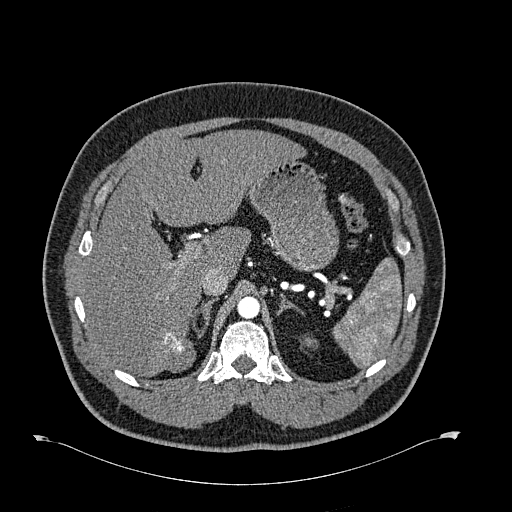
Abdominal CT with intravenous contrast, arterial phase, axial plane, 120 kVp, kernel B30f. Slice 498/723 from the bottom of the scan; thickness 1.00 mm; pixel size 0.895 mm.
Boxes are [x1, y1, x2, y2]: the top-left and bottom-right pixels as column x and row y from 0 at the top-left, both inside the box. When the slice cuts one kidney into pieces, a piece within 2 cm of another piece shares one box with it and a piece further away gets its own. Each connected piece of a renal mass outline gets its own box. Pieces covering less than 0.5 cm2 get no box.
Box [301, 334, 317, 349]: left kidney (outlined area 163 px, about 1.3 cm2). This slice carries no renal mass outline.